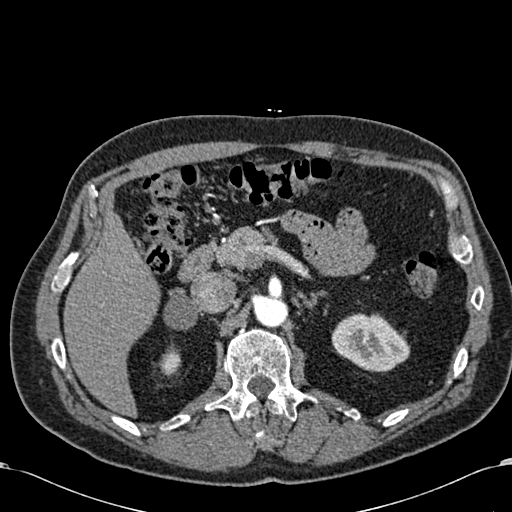
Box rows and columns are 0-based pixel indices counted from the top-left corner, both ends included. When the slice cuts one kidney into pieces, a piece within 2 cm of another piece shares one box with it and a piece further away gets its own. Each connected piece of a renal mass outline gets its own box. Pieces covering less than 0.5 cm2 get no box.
This is axial slice 418 of 581 (slice 1 is the lowest) of an arterial-phase abdominal CT with contrast; each pixel is 0.713 mm and the slice is 1.00 mm thick. Two kidney boxes on this slice; by box centre, from the image's left to its right: (1) Right kidney at rows 351–376, columns 158–180 (outlined area 431 px, about 2.2 cm2). (2) Left kidney at rows 313–372, columns 331–410 (outlined area 3,328 px, about 16.9 cm2). This slice carries no renal mass outline.
Acquired at 120 kVp and reconstructed with the B30f kernel.